One axial slice (176 of 261, counting up from the lowest) of an arterial-phase abdominal CT acquired with 120 kVp, kernel I30f; each pixel is 0.939 mm and the slice is 2.00 mm thick.
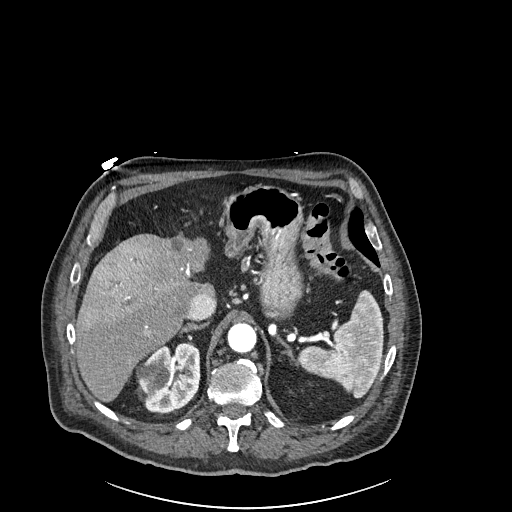
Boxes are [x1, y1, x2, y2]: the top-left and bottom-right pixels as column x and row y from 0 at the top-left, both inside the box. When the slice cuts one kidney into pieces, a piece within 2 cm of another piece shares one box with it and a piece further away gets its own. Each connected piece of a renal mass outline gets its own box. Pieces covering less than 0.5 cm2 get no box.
Right kidney, box [136, 342, 200, 412] (outlined area 3,473 px, about 30.7 cm2). No renal mass is outlined on this slice.